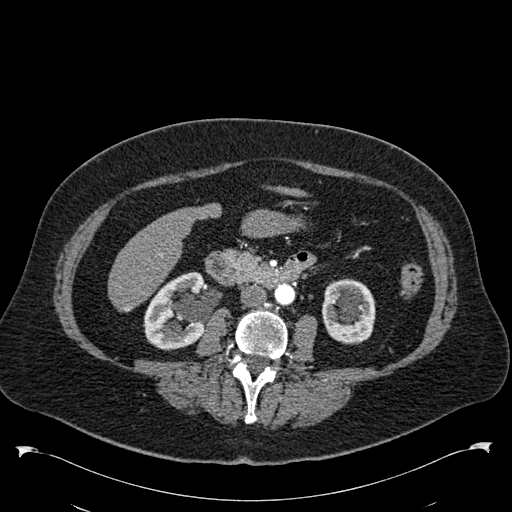
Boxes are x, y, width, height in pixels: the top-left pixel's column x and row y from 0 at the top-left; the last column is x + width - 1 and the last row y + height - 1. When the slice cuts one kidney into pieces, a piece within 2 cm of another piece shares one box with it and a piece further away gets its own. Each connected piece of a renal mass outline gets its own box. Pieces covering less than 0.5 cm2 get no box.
Arterial-phase contrast-enhanced abdominal CT, axial slice 278 of 538 (counted from the lowest slice); 1.00 mm thick, 0.811 mm per pixel. Two boxes on this slice (two kidney boxes), listed by box centre from the image's left to its right. (1) Right kidney at x 143, y 271, width 63, height 80 (outlined area 3,729 px, about 24.5 cm2). (2) Left kidney, box x 322, y 278, width 54, height 67 (outlined area 2,912 px, about 19.1 cm2). No renal mass outline on this slice.
Scan settings: 120 kVp, B30f reconstruction kernel.